Abdominal CT with intravenous contrast, arterial phase, axial plane, 100 kVp, kernel I26f. Slice 348/665 from the bottom of the scan; thickness 1.00 mm; pixel size 0.828 mm.
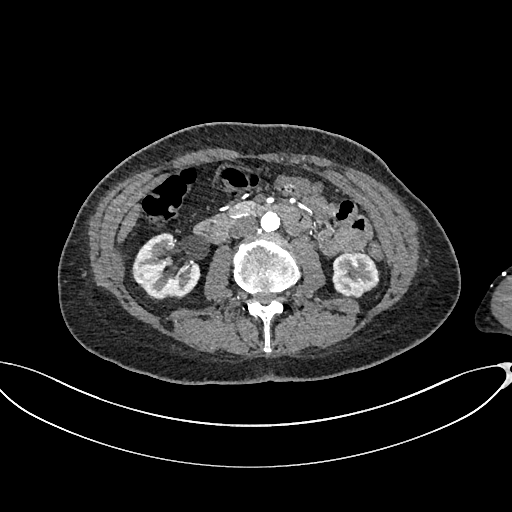
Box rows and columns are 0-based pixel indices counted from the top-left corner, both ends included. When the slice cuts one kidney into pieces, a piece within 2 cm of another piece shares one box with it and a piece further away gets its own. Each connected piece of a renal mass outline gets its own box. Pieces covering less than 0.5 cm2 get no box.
Two boxes on this slice (two kidney boxes), listed by box centre from the image's left to its right. (1) Right kidney at rows 232–299, columns 131–200 (outlined area 3,190 px, about 21.9 cm2). (2) Box rows 252–297, columns 332–378: left kidney (outlined area 1,722 px, about 11.8 cm2). This slice carries no renal mass outline.